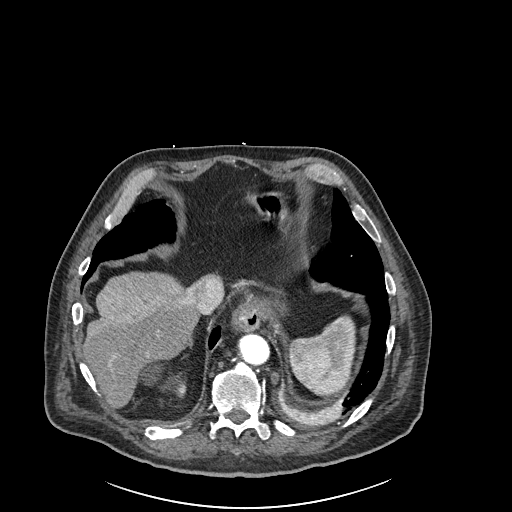
Abdominal CT with intravenous contrast, arterial phase, axial plane, 120 kVp, kernel I30f. Slice 212/261 from the bottom of the scan; thickness 2.00 mm; pixel size 0.939 mm.
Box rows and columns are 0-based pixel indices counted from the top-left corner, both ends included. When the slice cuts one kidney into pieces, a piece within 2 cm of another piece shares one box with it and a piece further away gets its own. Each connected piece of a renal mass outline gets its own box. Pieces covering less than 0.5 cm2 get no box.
Box rows 362–396, columns 139–186: right kidney (outlined area 688 px, about 6.1 cm2). This slice carries no renal mass outline.